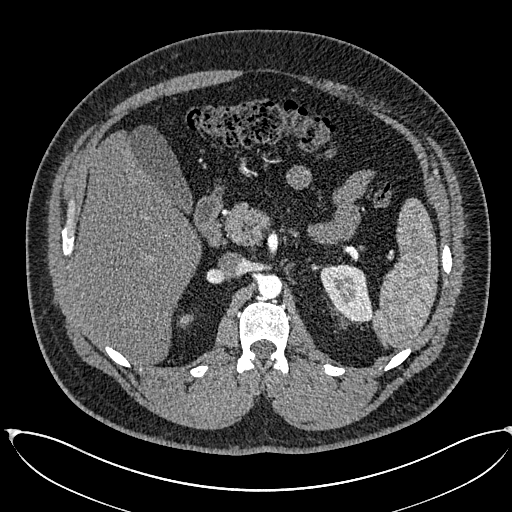
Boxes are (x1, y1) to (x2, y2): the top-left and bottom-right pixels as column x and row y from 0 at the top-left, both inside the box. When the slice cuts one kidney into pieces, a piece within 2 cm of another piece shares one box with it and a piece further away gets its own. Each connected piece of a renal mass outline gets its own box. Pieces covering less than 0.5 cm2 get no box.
Slice 409/673 of a contrast-enhanced abdominal CT in the arterial phase, counting up from the lowest; pixel size 0.855 mm, slice thickness 1.00 mm. Boxed on this slice (two kidney boxes), listed by box centre from the image's left to its right: (1) Right kidney from (179, 314) to (193, 325) (outlined area 129 px, about 0.9 cm2). (2) Left kidney, box (320, 264) to (372, 321) (outlined area 2,212 px, about 16.2 cm2). This slice carries no renal mass outline.
Scan settings: 120 kVp, I30f reconstruction kernel.